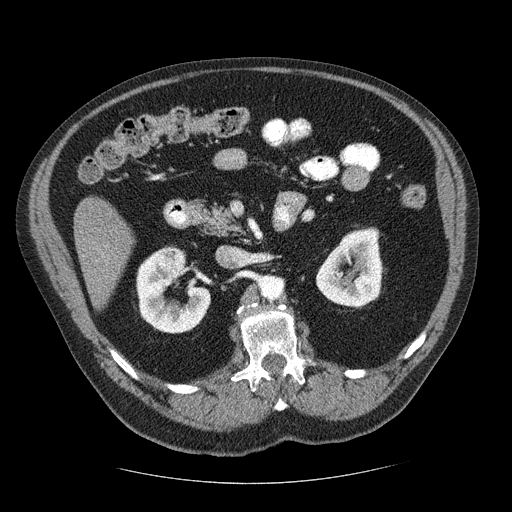
Abdominal CT with intravenous contrast, axial plane, 120 kVp, kernel STANDARD. Slice 138/206 from the bottom of the scan; thickness 2.50 mm; pixel size 0.879 mm.
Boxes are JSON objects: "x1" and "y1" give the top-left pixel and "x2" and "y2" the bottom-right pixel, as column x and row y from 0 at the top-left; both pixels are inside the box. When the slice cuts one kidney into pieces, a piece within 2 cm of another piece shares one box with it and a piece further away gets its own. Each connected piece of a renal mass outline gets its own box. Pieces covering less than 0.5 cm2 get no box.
Boxed on this slice (two kidney boxes and one renal mass box), listed by box centre from the image's left to its right: (1) Right renal mass at {"x1": 158, "y1": 246, "x2": 186, "y2": 273} (outlined area 647 px, about 5.0 cm2). (2) Right kidney, box {"x1": 135, "y1": 247, "x2": 210, "y2": 333} (outlined area 3,805 px, about 29.4 cm2). (3) Box {"x1": 315, "y1": 227, "x2": 384, "y2": 308}: left kidney (outlined area 4,049 px, about 31.3 cm2).